Abdominal CT with intravenous contrast, arterial phase, axial plane, 100 kVp, kernel I30f. Slice 219/1059 from the bottom of the scan; thickness 1.00 mm; pixel size 0.811 mm.
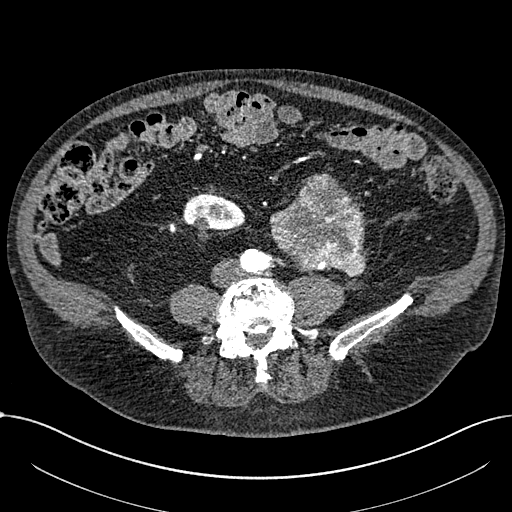
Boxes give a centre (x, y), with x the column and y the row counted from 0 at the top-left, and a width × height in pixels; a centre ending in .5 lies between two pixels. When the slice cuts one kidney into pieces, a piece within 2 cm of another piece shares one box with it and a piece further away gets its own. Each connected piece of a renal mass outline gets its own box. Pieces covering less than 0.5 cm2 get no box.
Two boxes on this slice (one kidney box and one renal mass box), listed by box centre from the image's left to its right. (1) Right part of the midline-crossing kidney, box centre (213.5, 217), 64 × 49 pixels (outlined area 1,907 px, about 12.5 cm2). (2) Renal mass in a box with centre (318, 224.5), 97 × 104 pixels (outlined area 7,007 px, about 46.0 cm2); on this slice it lies more than 1 cm from any kidney outline, but the same outlined renal mass comes within 1 cm of the kidney on another slice.